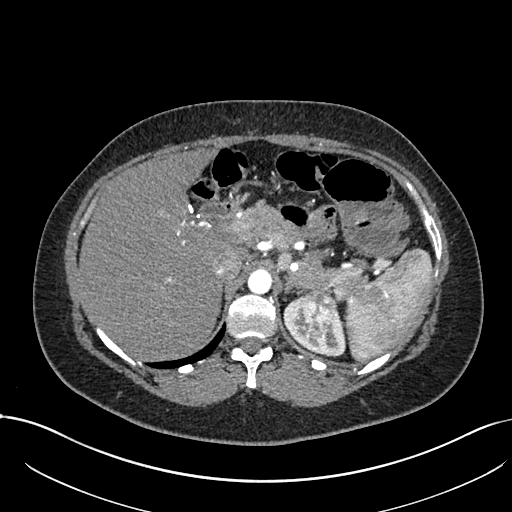
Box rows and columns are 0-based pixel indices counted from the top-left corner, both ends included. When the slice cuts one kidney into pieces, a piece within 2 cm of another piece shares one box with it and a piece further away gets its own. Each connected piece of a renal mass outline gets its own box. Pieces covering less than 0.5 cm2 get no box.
Arterial-phase contrast-enhanced abdominal CT, axial slice 542 of 738 (counted from the lowest slice); 1.00 mm thick, 0.789 mm per pixel. Two boxes on this slice (one kidney box and one renal mass box), listed by box centre from the image's left to its right. (1) Left kidney at rows 295–355, columns 283–345 (outlined area 1,647 px, about 10.3 cm2). (2) Left renal mass at rows 291–341, columns 299–334 (outlined area 1,392 px, about 8.7 cm2).
Scan settings: 120 kVp, I30f reconstruction kernel.